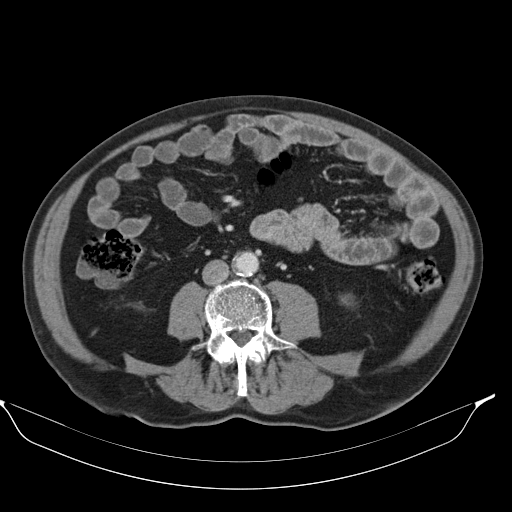
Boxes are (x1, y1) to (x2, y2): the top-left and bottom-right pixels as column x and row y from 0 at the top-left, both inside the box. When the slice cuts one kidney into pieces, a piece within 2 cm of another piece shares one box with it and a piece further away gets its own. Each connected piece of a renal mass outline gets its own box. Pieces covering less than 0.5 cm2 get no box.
Contrast-enhanced abdominal CT, axial slice 45 of 98 (counted from the lowest slice); 5.00 mm thick, 0.840 mm per pixel. Left kidney from (340, 294) to (353, 305) (outlined area 128 px, about 0.9 cm2). No renal mass is outlined on this slice.
Tube voltage 130 kVp; convolution kernel B30s.